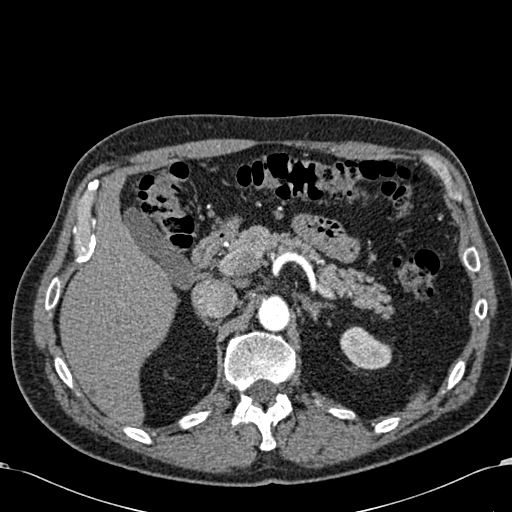
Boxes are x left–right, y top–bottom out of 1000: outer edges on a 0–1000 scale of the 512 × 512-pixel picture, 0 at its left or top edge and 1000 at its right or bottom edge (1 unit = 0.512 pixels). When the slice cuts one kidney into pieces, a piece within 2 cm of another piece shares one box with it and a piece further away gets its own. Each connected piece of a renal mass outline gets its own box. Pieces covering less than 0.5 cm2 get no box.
Slice 438/581 of a contrast-enhanced abdominal CT in the arterial phase, counting up from the lowest; pixel size 0.713 mm, slice thickness 1.00 mm. Left kidney at x 664–766, y 637–723 out of 1000 (outlined area 1,593 px, about 8.1 cm2). This slice carries no renal mass outline.
Scan settings: 120 kVp, B30f reconstruction kernel.